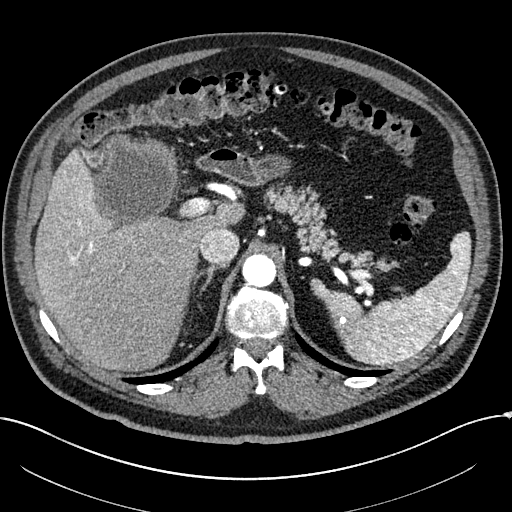
Abdominal CT with intravenous contrast, arterial phase, axial plane, 100 kVp, kernel I30f. Slice 184/304 from the bottom of the scan; thickness 2.00 mm; pixel size 0.809 mm.
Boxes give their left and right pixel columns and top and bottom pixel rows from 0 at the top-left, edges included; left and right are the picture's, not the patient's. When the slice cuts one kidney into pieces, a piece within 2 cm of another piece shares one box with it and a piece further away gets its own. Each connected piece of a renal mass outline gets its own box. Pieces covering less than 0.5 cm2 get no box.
Right renal mass, the box with left 95, top 133, right 178, bottom 228 (outlined area 6,516 px, about 42.6 cm2); no kidney outline appears on this slice, but the same outlined renal mass comes within 1 cm of the kidney on another slice.